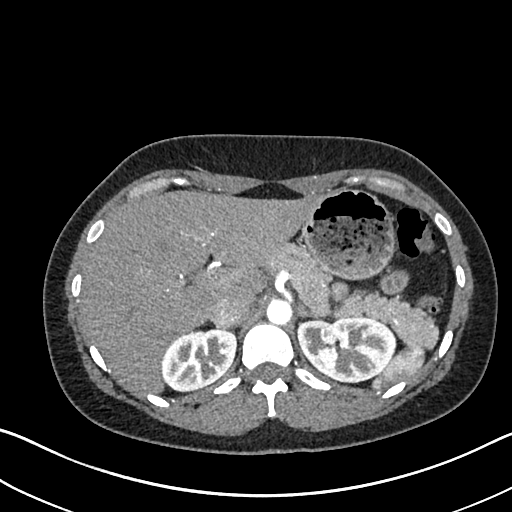
One axial slice (506 of 612, counting up from the lowest) of an arterial-phase abdominal CT acquired with 120 kVp, kernel I30f; each pixel is 0.703 mm and the slice is 1.00 mm thick.
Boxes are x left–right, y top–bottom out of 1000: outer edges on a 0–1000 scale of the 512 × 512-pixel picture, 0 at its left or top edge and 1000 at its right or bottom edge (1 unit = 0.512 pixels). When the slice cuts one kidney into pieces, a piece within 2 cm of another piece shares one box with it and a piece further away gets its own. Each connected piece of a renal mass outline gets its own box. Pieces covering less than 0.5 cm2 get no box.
Two boxes on this slice (two kidney boxes), listed by box centre from the image's left to its right. (1) Right kidney at x 314–461, y 641–764 out of 1000 (outlined area 3,647 px, about 18.0 cm2). (2) Left kidney at x 578–775, y 617–748 out of 1000 (outlined area 5,170 px, about 25.6 cm2). No renal mass is outlined on this slice.